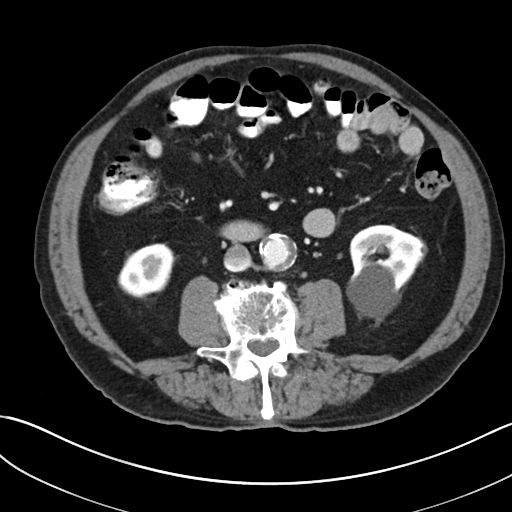
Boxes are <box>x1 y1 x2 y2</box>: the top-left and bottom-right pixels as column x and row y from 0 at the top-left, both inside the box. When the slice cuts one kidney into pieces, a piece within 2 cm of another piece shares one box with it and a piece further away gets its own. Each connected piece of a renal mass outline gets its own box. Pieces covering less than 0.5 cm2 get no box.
This is axial slice 111 of 269 (slice 1 is the lowest) of an abdominal CT with contrast; each pixel is 0.732 mm and the slice is 5.00 mm thick. Two kidney boxes on this slice; by box centre, from the image's left to its right: (1) Right kidney: <box>117 243 176 299</box> (outlined area 2,358 px, about 12.6 cm2). (2) Left kidney at <box>346 224 427 326</box> (outlined area 5,327 px, about 28.6 cm2). This slice carries no renal mass outline.
Tube voltage 100 kVp; convolution kernel I30f.